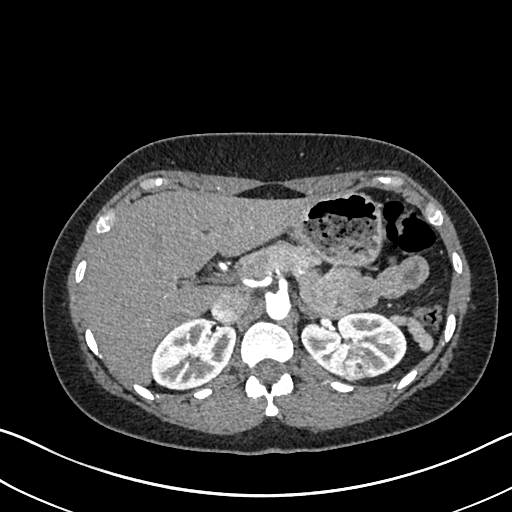
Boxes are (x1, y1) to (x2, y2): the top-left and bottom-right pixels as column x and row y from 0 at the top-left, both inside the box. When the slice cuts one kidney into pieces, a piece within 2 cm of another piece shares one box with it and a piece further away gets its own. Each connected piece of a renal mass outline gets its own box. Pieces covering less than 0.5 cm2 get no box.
This is axial slice 483 of 612 (slice 1 is the lowest) of an arterial-phase abdominal CT with contrast; each pixel is 0.703 mm and the slice is 1.00 mm thick. Boxed on this slice (two kidney boxes and one renal mass box), listed by box centre from the image's left to its right: (1) Right kidney from (151, 318) to (235, 389) (outlined area 4,570 px, about 22.6 cm2). (2) Box (300, 310) to (406, 381): left kidney (outlined area 5,017 px, about 24.8 cm2). (3) Left renal mass from (344, 355) to (368, 380) (outlined area 512 px, about 2.5 cm2).
Scan settings: 120 kVp, I30f reconstruction kernel.